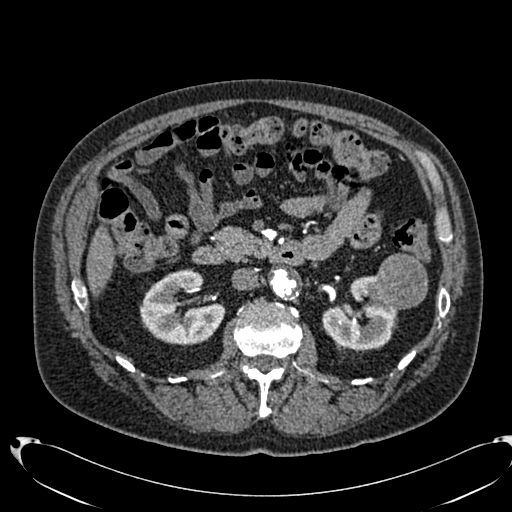
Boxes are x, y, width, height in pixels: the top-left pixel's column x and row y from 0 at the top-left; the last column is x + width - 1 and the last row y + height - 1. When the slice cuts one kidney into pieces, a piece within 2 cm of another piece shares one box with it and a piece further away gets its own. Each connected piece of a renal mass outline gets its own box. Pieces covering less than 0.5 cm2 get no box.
Slice 417/553 of a contrast-enhanced abdominal CT in the arterial phase, counting up from the lowest; pixel size 0.773 mm, slice thickness 1.00 mm. Two kidney boxes and one renal mass box on this slice; by box centre, from the image's left to its right: (1) Right kidney at x 139, y 269, width 87, height 77 (outlined area 4,455 px, about 26.7 cm2). (2) Left kidney, box x 322, y 276, width 77, height 75 (outlined area 3,373 px, about 20.2 cm2). (3) Box x 374, y 253, width 55, height 57: left renal mass (outlined area 2,456 px, about 14.7 cm2).
Tube voltage 120 kVp; convolution kernel B20f.